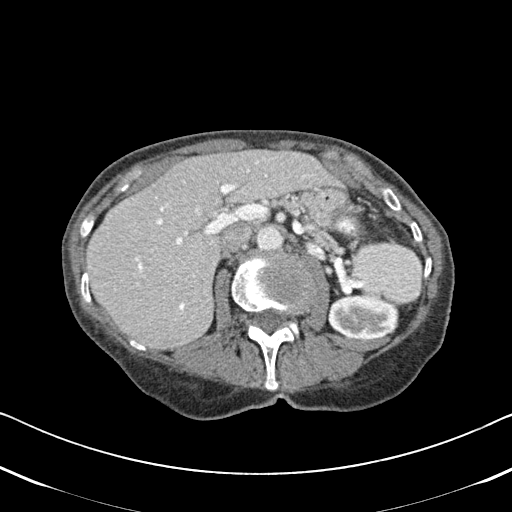
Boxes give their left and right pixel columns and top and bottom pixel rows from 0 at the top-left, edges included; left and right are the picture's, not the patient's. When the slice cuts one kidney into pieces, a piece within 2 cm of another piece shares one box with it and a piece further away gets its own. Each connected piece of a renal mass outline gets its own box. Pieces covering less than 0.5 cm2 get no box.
This is axial slice 310 of 620 (slice 1 is the lowest) of an arterial-phase abdominal CT with contrast; each pixel is 0.637 mm and the slice is 2.00 mm thick. Left kidney, the box with left 327, top 294, right 398, bottom 340 (outlined area 2,699 px, about 10.9 cm2). This slice carries no renal mass outline.
Acquired at 120 kVp and reconstructed with the B31f kernel.